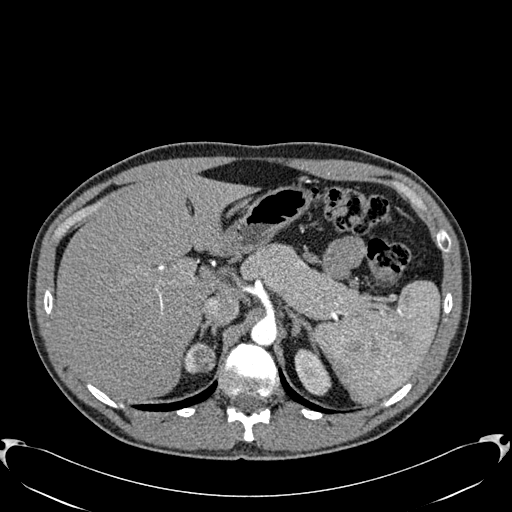
Abdominal CT with intravenous contrast, arterial phase, axial plane, 120 kVp, kernel B30f. Slice 450/512 from the bottom of the scan; thickness 1.00 mm; pixel size 0.771 mm.
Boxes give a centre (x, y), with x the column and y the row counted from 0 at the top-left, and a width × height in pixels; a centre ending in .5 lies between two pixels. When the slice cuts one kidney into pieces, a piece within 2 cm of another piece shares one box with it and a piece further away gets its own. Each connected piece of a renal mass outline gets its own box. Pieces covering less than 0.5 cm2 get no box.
Two kidney boxes and one renal mass box on this slice; by box centre, from the image's left to its right: (1) Box centre (190, 358), 13 × 31 pixels: right kidney (outlined area 222 px, about 1.3 cm2). (2) Right renal mass, box centre (203, 357), 25 × 31 pixels (outlined area 575 px, about 3.4 cm2). (3) Left kidney in a box with centre (312.5, 371.5), 38 × 48 pixels (outlined area 1,208 px, about 7.2 cm2).